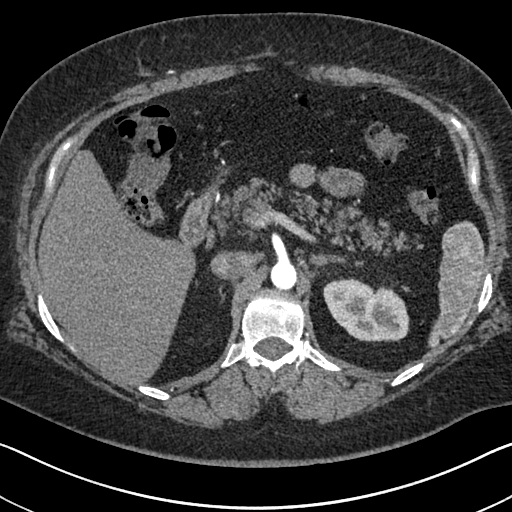
Axial slice 476 of 591 of a contrast-enhanced abdominal CT in the arterial phase (slice 1 is the lowest), 140 kVp, kernel I30f; 1.00 mm slice thickness and 0.703 mm pixels.
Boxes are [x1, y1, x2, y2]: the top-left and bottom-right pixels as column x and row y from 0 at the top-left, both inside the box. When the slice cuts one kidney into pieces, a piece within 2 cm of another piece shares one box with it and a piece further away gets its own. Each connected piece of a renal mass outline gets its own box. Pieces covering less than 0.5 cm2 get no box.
Left kidney, box [323, 278, 409, 341] (outlined area 4,106 px, about 20.3 cm2). No renal mass is outlined on this slice.